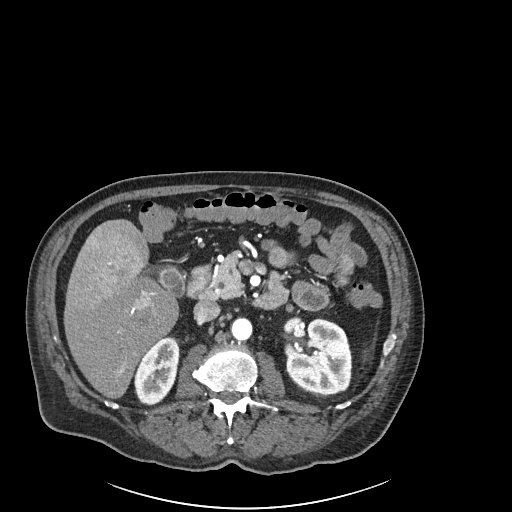
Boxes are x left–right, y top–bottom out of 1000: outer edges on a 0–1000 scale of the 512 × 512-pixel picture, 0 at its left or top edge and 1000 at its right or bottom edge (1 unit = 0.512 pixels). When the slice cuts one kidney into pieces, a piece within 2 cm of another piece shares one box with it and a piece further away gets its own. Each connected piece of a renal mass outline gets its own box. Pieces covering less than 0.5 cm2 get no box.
Slice 115/261 of a contrast-enhanced abdominal CT in the arterial phase, counting up from the lowest; pixel size 0.939 mm, slice thickness 2.00 mm. Two boxes on this slice (two kidney boxes), listed by box centre from the image's left to its right. (1) Box x 262–352, y 656–793 out of 1000: right kidney (outlined area 2,303 px, about 20.3 cm2). (2) Box x 555–689, y 617–770 out of 1000: left kidney (outlined area 4,144 px, about 36.6 cm2). This slice carries no renal mass outline.
Tube voltage 120 kVp; convolution kernel I30f.